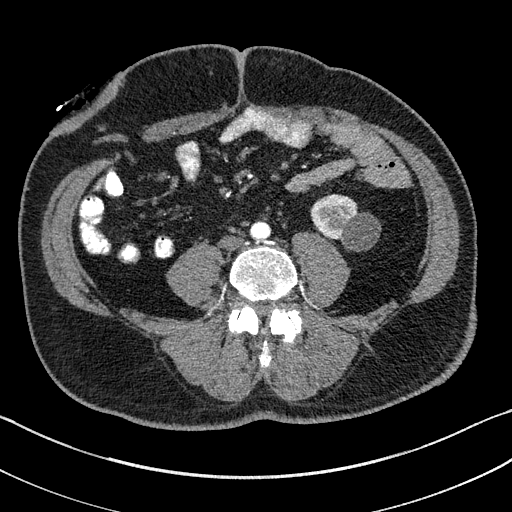
One axial slice (34 of 195, counting up from the lowest) of an arterial-phase abdominal CT acquired with 100 kVp, kernel I31f; each pixel is 0.707 mm and the slice is 1.50 mm thick.
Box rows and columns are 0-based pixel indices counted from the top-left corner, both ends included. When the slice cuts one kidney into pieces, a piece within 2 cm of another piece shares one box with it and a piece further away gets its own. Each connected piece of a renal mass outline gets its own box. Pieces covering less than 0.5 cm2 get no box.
Left kidney at rows 194–250, columns 311–378 (outlined area 2,529 px, about 12.6 cm2). No renal mass outline on this slice.